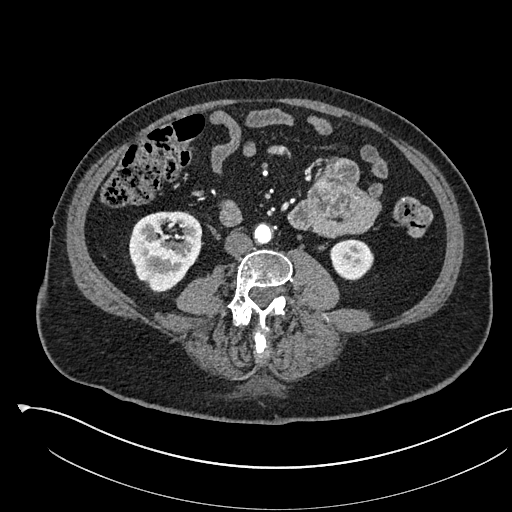
One axial slice (232 of 541, counting up from the lowest) of an arterial-phase abdominal CT acquired with 120 kVp, kernel I30f; each pixel is 0.834 mm and the slice is 1.00 mm thick.
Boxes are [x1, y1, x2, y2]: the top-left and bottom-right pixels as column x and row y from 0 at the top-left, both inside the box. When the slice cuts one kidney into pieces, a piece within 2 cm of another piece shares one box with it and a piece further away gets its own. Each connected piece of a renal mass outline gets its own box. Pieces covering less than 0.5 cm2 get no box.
Two kidney boxes on this slice; by box centre, from the image's left to its right: (1) Right kidney at [129, 211, 202, 292] (outlined area 4,561 px, about 31.7 cm2). (2) Box [330, 239, 373, 280]: left kidney (outlined area 1,420 px, about 9.9 cm2). This slice carries no renal mass outline.